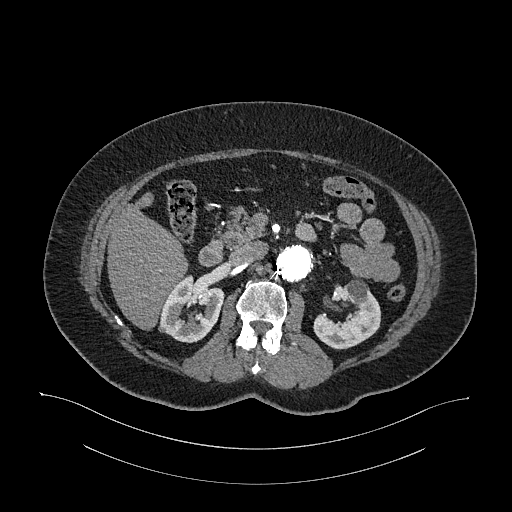
Arterial-phase contrast-enhanced abdominal CT, axial slice 671 of 987 (counted from the lowest slice); tube voltage 120 kVp, convolution kernel I26f; slices 1.00 mm thick, 0.977 mm per pixel.
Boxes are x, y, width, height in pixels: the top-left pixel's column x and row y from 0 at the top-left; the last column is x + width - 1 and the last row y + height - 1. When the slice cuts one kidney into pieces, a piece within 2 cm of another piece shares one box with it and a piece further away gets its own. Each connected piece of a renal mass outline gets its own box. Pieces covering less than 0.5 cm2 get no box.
Two kidney boxes on this slice; by box centre, from the image's left to its right: (1) Box x 158, y 274, width 66, height 69: right kidney (outlined area 3,054 px, about 29.1 cm2). (2) Left kidney, box x 313, y 279, width 69, height 71 (outlined area 3,049 px, about 29.1 cm2). No renal mass outline on this slice.